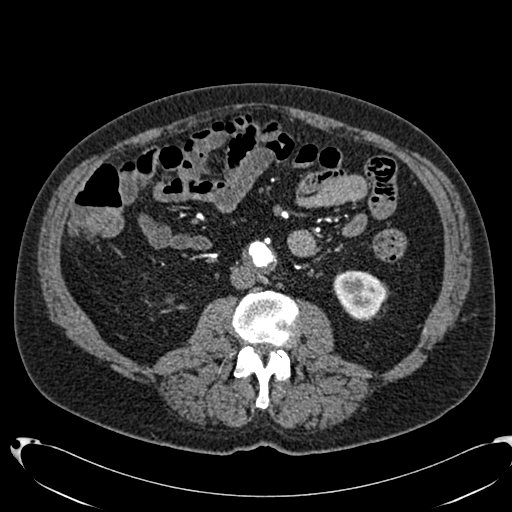
Arterial-phase contrast-enhanced abdominal CT, axial slice 333 of 553 (counted from the lowest slice); tube voltage 120 kVp, convolution kernel B20f; slices 1.00 mm thick, 0.773 mm per pixel.
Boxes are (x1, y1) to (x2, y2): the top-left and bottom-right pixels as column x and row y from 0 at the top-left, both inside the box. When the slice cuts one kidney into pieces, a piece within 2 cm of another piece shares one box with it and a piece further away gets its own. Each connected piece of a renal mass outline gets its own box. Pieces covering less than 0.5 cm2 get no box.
Box (333, 270) to (385, 318): left kidney (outlined area 1,960 px, about 11.7 cm2). No renal mass outline on this slice.